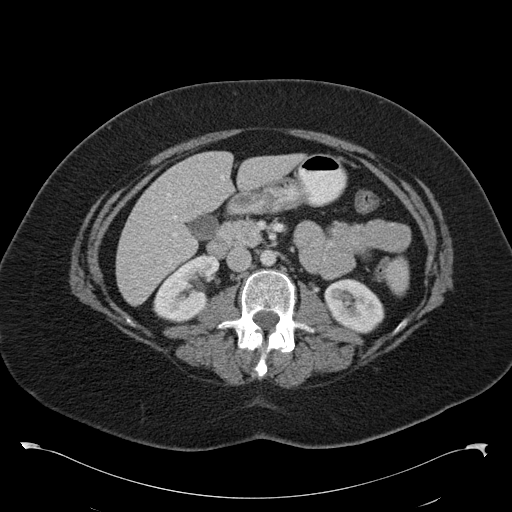
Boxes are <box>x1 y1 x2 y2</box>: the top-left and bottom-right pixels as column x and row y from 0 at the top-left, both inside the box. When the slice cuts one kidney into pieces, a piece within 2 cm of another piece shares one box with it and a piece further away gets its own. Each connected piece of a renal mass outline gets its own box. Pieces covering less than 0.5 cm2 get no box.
This is axial slice 60 of 97 (slice 1 is the lowest) of an arterial-phase abdominal CT with contrast; each pixel is 0.824 mm and the slice is 5.00 mm thick. Two boxes on this slice (two kidney boxes), listed by box centre from the image's left to its right. (1) Right kidney at <box>153 255 218 321</box> (outlined area 2,877 px, about 19.5 cm2). (2) At <box>324 278 384 333</box>: left kidney (outlined area 2,339 px, about 15.9 cm2). No renal mass outline on this slice.
Acquired at 120 kVp and reconstructed with the B30f kernel.